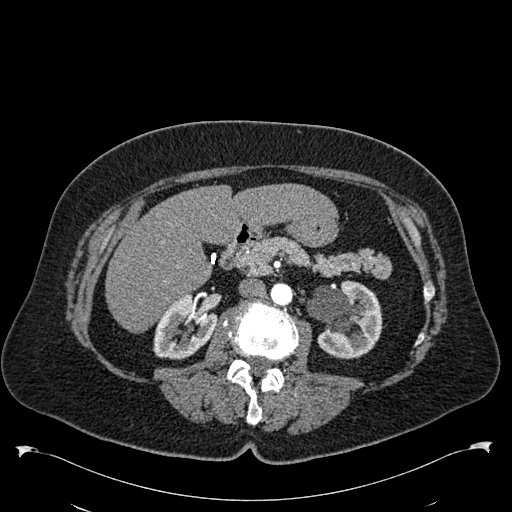
Arterial-phase contrast-enhanced abdominal CT, axial slice 328 of 538 (counted from the lowest slice); tube voltage 120 kVp, convolution kernel B30f; slices 1.00 mm thick, 0.811 mm per pixel.
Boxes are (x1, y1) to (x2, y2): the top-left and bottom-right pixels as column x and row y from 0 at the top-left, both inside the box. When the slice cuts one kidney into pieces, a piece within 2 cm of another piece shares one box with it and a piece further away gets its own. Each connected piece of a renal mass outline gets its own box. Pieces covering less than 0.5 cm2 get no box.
Two kidney boxes on this slice; by box centre, from the image's left to its right: (1) Box (153, 290) to (218, 359): right kidney (outlined area 2,968 px, about 19.5 cm2). (2) Box (306, 280) to (382, 359): left kidney (outlined area 4,376 px, about 28.7 cm2). No renal mass outline on this slice.